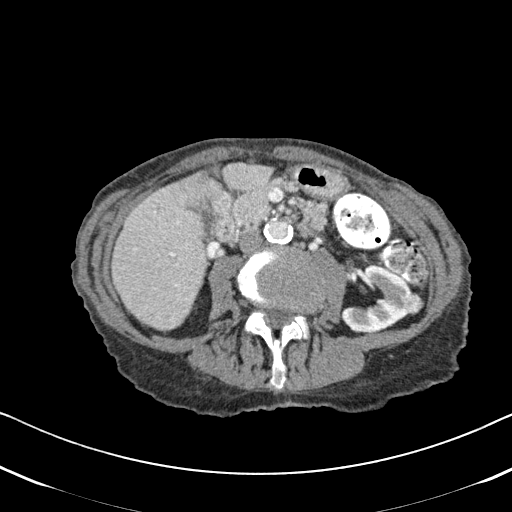
Axial slice 274 of 620 of a contrast-enhanced abdominal CT in the arterial phase (slice 1 is the lowest), 120 kVp, kernel B31f; 2.00 mm slice thickness and 0.637 mm pixels.
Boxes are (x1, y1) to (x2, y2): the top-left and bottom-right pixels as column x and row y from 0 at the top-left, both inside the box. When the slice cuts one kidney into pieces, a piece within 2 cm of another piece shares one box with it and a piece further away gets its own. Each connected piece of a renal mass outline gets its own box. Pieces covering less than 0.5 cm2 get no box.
One kidney box and one renal mass box on this slice; by box centre, from the image's left to its right: (1) Left kidney, box (340, 264) to (412, 333) (outlined area 2,922 px, about 11.8 cm2). (2) Left renal mass from (402, 292) to (424, 315) (outlined area 363 px, about 1.5 cm2).